Abdominal CT with intravenous contrast, arterial phase, axial plane, 100 kVp, kernel SOFT. Slice 228/383 from the bottom of the scan; thickness 1.25 mm; pixel size 0.898 mm.
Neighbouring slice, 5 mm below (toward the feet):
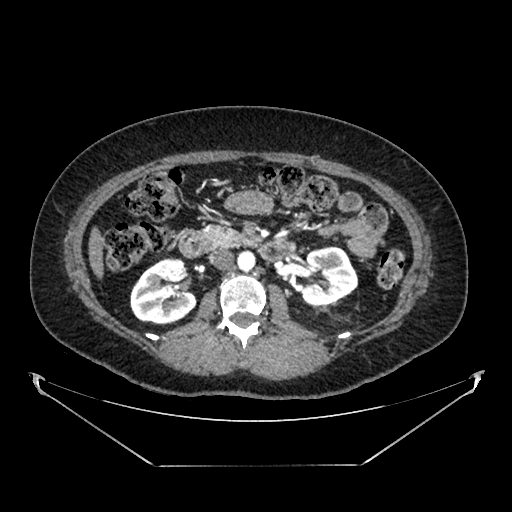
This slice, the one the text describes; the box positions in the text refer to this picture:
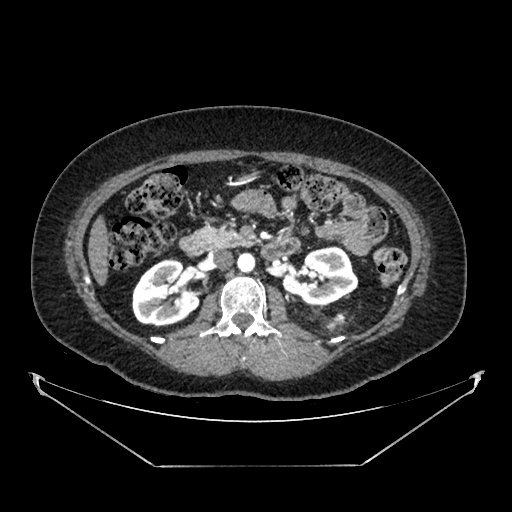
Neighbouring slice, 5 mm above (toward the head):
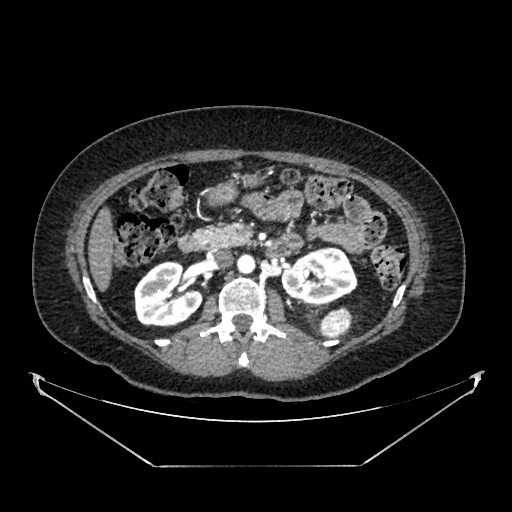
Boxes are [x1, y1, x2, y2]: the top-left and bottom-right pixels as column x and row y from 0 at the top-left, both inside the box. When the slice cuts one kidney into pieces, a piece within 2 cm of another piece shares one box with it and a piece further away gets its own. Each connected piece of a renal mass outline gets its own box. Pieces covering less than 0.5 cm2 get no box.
Two kidney boxes and one renal mass box on this slice; by box centre, from the image's left to its right: (1) Box [131, 259, 200, 326]: right kidney (outlined area 3,397 px, about 27.4 cm2). (2) Box [282, 246, 358, 305]: left kidney (outlined area 3,201 px, about 25.8 cm2). (3) Box [328, 317, 341, 326]: left renal mass (outlined area 101 px, about 0.8 cm2); it sits over 1 cm from every kidney outline on this slice, but the same outlined renal mass comes within 1 cm of the kidney on another slice. This slice is near the end of the left renal mass toward the feet, so the slices 5 mm below and 5 mm above it are shown as well; the boxes refer to this slice only.